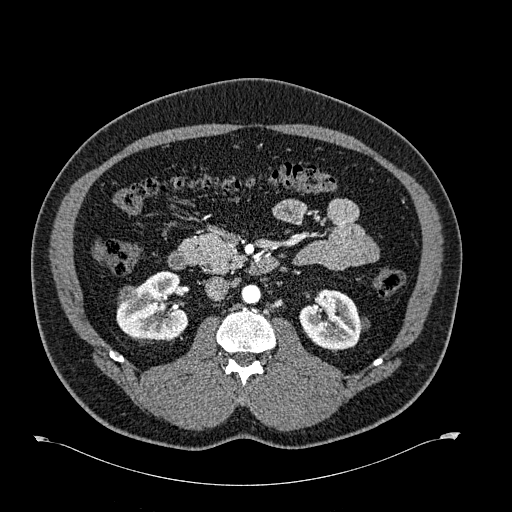
Axial slice 356 of 723 of a contrast-enhanced abdominal CT in the arterial phase (slice 1 is the lowest), 120 kVp, kernel B30f; 1.00 mm slice thickness and 0.895 mm pixels.
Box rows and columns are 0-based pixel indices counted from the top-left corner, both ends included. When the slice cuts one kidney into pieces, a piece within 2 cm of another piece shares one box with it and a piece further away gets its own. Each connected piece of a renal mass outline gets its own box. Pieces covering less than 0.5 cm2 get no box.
Three boxes on this slice (two kidney boxes and one renal mass box), listed by box centre from the image's left to its right. (1) Box rows 285–304, columns 118–138: right renal mass (outlined area 313 px, about 2.5 cm2). (2) Right kidney at rows 271–341, columns 116–188 (outlined area 3,580 px, about 28.6 cm2). (3) Left kidney, box rows 289–349, columns 299–369 (outlined area 2,958 px, about 23.7 cm2).